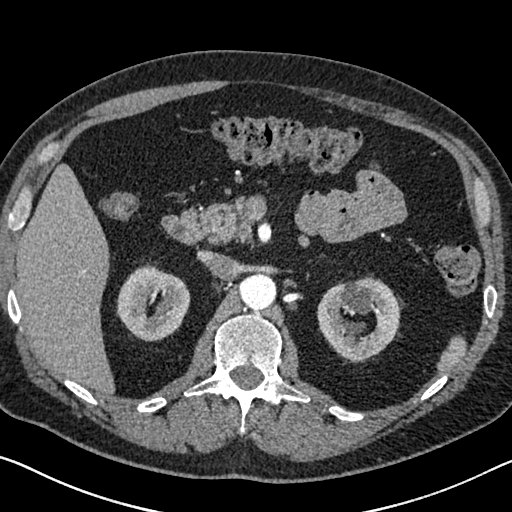
Arterial-phase contrast-enhanced abdominal CT, axial slice 445 of 626 (counted from the lowest slice); tube voltage 120 kVp, convolution kernel I30f; slices 1.00 mm thick, 0.703 mm per pixel.
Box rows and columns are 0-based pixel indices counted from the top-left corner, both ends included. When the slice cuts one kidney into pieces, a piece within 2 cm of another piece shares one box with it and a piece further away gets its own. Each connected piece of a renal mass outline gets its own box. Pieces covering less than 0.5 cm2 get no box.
Two boxes on this slice (two kidney boxes), listed by box centre from the image's left to its right. (1) Right kidney, box rows 263–341, columns 116–190 (outlined area 4,092 px, about 20.2 cm2). (2) Left kidney, box rows 274–360, columns 317–401 (outlined area 5,028 px, about 24.9 cm2). No renal mass outline on this slice.